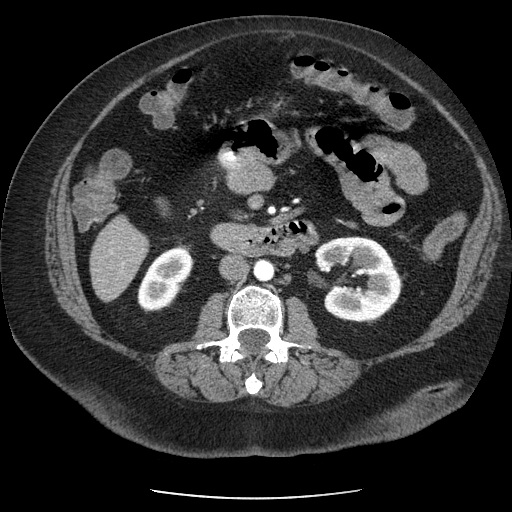
One axial slice (114 of 186, counting up from the lowest) of an arterial-phase abdominal CT acquired with 120 kVp, kernel STANDARD; each pixel is 0.742 mm and the slice is 2.50 mm thick.
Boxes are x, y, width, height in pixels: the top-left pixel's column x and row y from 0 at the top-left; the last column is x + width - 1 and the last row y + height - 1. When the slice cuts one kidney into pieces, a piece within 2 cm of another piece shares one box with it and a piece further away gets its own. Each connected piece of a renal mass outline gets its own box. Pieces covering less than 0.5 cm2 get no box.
Boxed on this slice (two kidney boxes), listed by box centre from the image's left to its right: (1) Right kidney, box x 137, y 245, width 57, height 67 (outlined area 2,439 px, about 13.4 cm2). (2) Box x 314, y 236, width 88, height 86: left kidney (outlined area 5,451 px, about 30.0 cm2). This slice carries no renal mass outline.